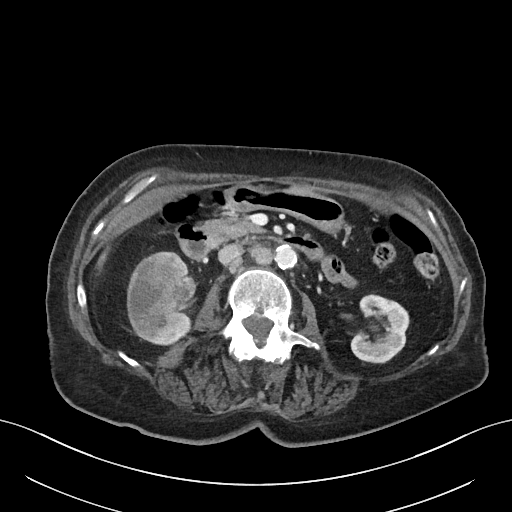
Abdominal CT with intravenous contrast, axial plane, 100 kVp, kernel I40f. Slice 29/76 from the bottom of the scan; thickness 3.00 mm; pixel size 0.768 mm.
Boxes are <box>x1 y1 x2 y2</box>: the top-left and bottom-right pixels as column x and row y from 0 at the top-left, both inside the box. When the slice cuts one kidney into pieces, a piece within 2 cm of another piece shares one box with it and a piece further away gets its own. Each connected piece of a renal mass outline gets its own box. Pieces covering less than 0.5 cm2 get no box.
Two kidney boxes and one renal mass box on this slice; by box centre, from the image's left to its right: (1) Right renal mass: <box>127 258 183 345</box> (outlined area 3,884 px, about 22.9 cm2). (2) Right kidney: <box>145 251 197 345</box> (outlined area 1,395 px, about 8.2 cm2). (3) Left kidney: <box>350 294 409 363</box> (outlined area 2,905 px, about 17.1 cm2).